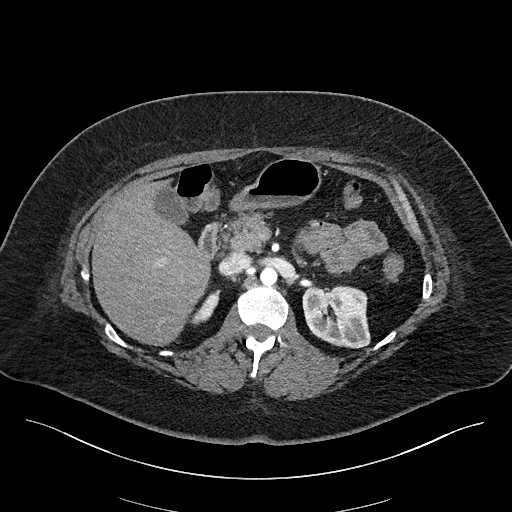
One axial slice (130 of 270, counting up from the lowest) of an arterial-phase abdominal CT acquired with 100 kVp, kernel I40f; each pixel is 0.855 mm and the slice is 2.00 mm thick.
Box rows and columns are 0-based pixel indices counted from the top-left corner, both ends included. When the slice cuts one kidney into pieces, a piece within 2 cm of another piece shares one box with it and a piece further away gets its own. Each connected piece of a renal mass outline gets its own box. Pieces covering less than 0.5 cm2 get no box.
Boxed on this slice (two kidney boxes), listed by box centre from the image's left to its right: (1) Right kidney at rows 289–324, columns 190–220 (outlined area 489 px, about 3.6 cm2). (2) Box rows 285–348, columns 302–370: left kidney (outlined area 3,501 px, about 25.6 cm2). This slice carries no renal mass outline.